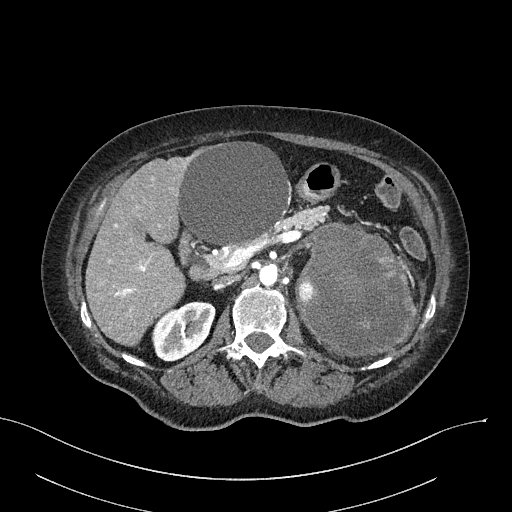
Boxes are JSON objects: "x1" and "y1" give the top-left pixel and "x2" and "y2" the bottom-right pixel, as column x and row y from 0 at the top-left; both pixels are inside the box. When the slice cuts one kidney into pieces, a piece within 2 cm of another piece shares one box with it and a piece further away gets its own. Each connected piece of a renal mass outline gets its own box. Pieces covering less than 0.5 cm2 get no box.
This is axial slice 163 of 316 (slice 1 is the lowest) of an arterial-phase abdominal CT with contrast; each pixel is 0.840 mm and the slice is 2.00 mm thick. Boxed on this slice (one kidney box and one renal mass box), listed by box centre from the image's left to its right: (1) Right kidney, box {"x1": 151, "y1": 301, "x2": 215, "y2": 361} (outlined area 2,747 px, about 19.4 cm2). (2) Left renal mass, box {"x1": 295, "y1": 222, "x2": 416, "y2": 356} (outlined area 12,328 px, about 87.0 cm2); on this slice it lies more than 1 cm from any kidney outline, but the same outlined renal mass comes within 1 cm of the kidney on another slice.
Tube voltage 100 kVp; convolution kernel I40f.